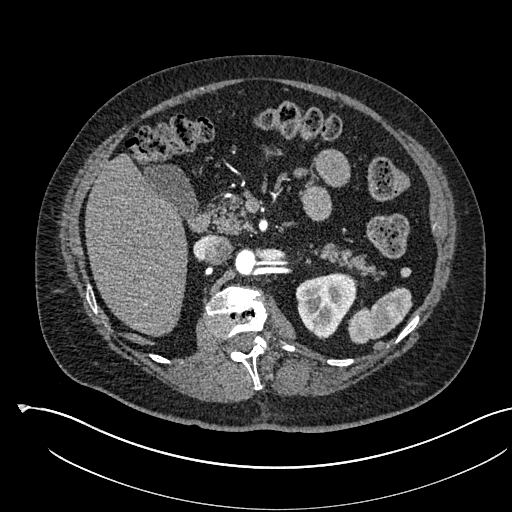
Arterial-phase contrast-enhanced abdominal CT, axial slice 363 of 541 (counted from the lowest slice); tube voltage 120 kVp, convolution kernel I30f; slices 1.00 mm thick, 0.834 mm per pixel.
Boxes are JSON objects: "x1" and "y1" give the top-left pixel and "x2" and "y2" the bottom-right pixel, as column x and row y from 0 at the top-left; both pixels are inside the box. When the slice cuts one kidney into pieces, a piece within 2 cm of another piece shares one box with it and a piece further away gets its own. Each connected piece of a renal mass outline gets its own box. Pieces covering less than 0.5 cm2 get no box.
Box {"x1": 295, "y1": 272, "x2": 357, "y2": 339}: left kidney (outlined area 2,951 px, about 20.5 cm2). This slice carries no renal mass outline.